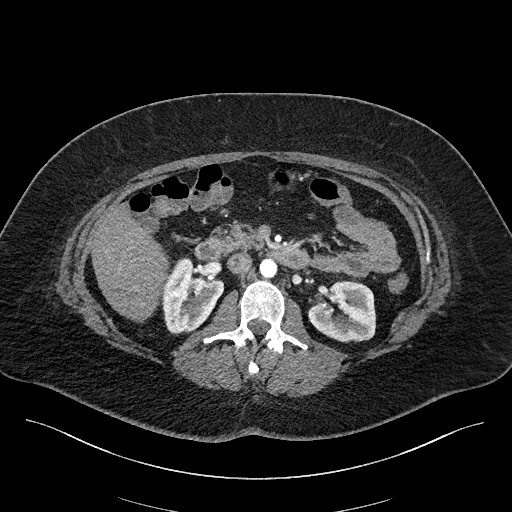
Arterial-phase contrast-enhanced abdominal CT, axial slice 109 of 270 (counted from the lowest slice); tube voltage 100 kVp, convolution kernel I40f; slices 2.00 mm thick, 0.855 mm per pixel.
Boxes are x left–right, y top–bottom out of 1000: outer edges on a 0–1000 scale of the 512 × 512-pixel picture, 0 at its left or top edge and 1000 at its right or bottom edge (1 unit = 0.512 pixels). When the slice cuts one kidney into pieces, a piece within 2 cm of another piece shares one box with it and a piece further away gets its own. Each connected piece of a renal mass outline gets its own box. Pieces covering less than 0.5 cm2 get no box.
Two boxes on this slice (two kidney boxes), listed by box centre from the image's left to its right. (1) Box x 316–439, y 502–654 out of 1000: right kidney (outlined area 3,369 px, about 24.7 cm2). (2) Left kidney, box x 602–736, y 549–670 out of 1000 (outlined area 3,233 px, about 23.7 cm2). This slice carries no renal mass outline.